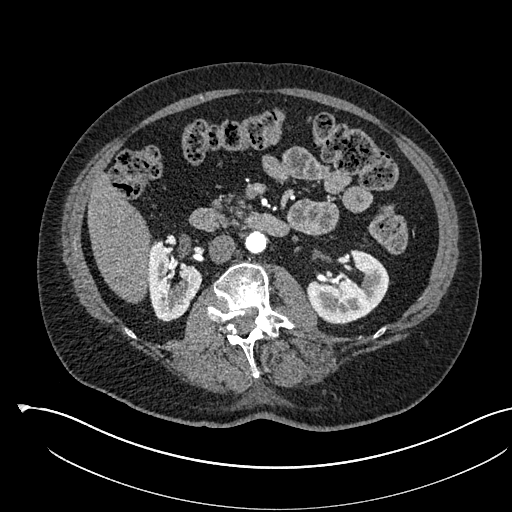
Abdominal CT with intravenous contrast, arterial phase, axial plane, 120 kVp, kernel I30f. Slice 306/541 from the bottom of the scan; thickness 1.00 mm; pixel size 0.834 mm.
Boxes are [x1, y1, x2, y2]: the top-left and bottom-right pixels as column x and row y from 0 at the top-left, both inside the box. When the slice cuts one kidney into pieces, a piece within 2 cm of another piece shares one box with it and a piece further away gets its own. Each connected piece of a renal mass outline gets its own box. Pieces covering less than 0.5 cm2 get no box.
Two boxes on this slice (two kidney boxes), listed by box centre from the image's left to its right. (1) Right kidney at [147, 240, 202, 321] (outlined area 3,072 px, about 21.4 cm2). (2) Box [306, 249, 389, 324]: left kidney (outlined area 4,089 px, about 28.4 cm2). No renal mass is outlined on this slice.